Axial slice 16 of 70 of a contrast-enhanced abdominal CT in the arterial phase (slice 1 is the lowest), 120 kVp, kernel B30f; 5.00 mm slice thickness and 0.977 mm pixels.
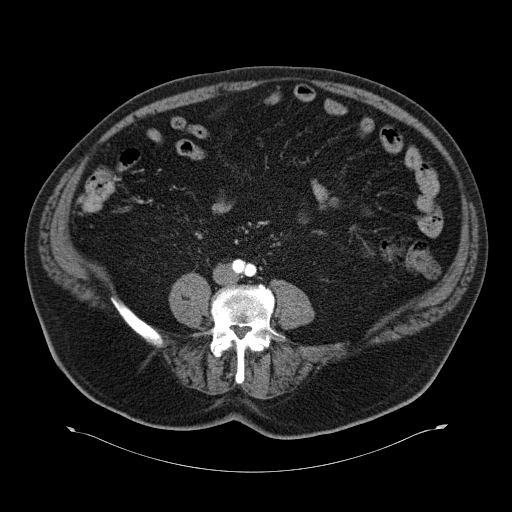
Neither a kidney nor a renal mass is outlined here. Only kidneys and renal masses are outlined anywhere in this scan; other structures are never outlined.